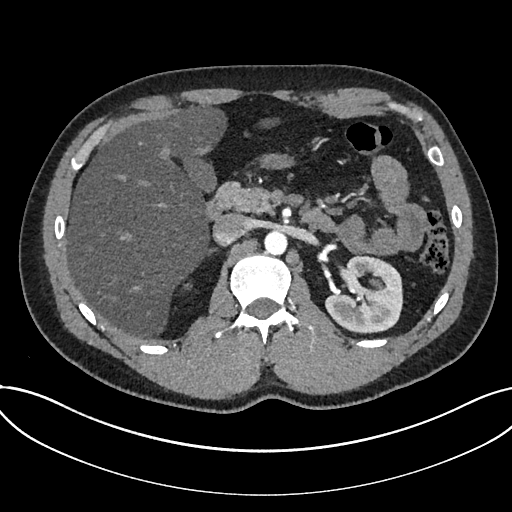
One axial slice (476 of 735, counting up from the lowest) of an arterial-phase abdominal CT acquired with 120 kVp, kernel I30f; each pixel is 0.789 mm and the slice is 1.00 mm thick.
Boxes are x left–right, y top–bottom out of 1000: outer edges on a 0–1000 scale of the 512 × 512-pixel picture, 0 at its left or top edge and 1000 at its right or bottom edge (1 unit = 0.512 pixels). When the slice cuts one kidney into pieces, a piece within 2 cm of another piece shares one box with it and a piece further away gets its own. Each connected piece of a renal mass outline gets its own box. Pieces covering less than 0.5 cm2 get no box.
Kidney, box x 633–789, y 496–652 out of 1000 (outlined area 4,588 px, about 28.6 cm2). No renal mass is outlined on this slice.